Abdominal CT with intravenous contrast, arterial phase, axial plane, 120 kVp, kernel B30f. Slice 255/532 from the bottom of the scan; thickness 1.00 mm; pixel size 0.713 mm.
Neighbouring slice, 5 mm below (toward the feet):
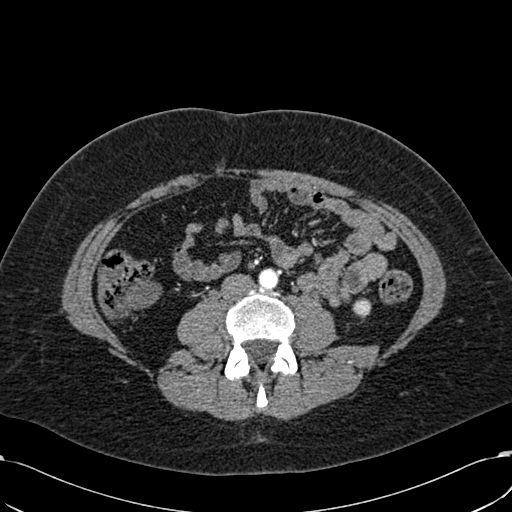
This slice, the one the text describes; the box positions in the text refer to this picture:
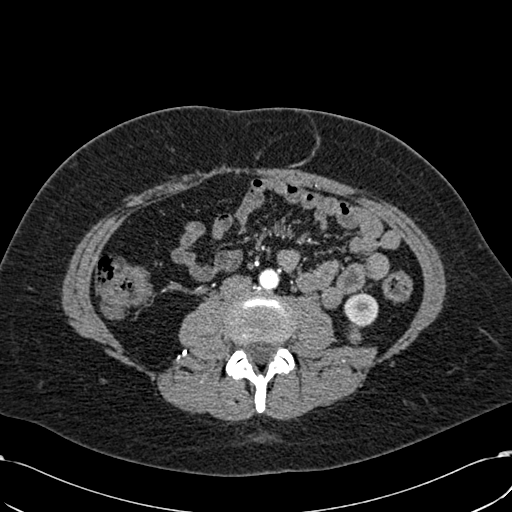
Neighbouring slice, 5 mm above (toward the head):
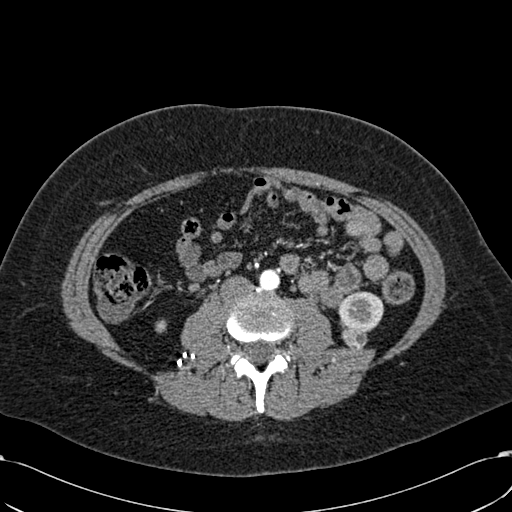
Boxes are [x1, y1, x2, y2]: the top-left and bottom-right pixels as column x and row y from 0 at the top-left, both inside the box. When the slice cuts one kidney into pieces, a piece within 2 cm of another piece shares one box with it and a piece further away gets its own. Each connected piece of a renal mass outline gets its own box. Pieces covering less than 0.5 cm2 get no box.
One kidney box and one renal mass box on this slice; by box centre, from the image's left to its right: (1) Box [348, 322, 361, 344]: left renal mass (outlined area 214 px, about 1.1 cm2). (2) Left kidney at [344, 293, 378, 327] (outlined area 920 px, about 4.7 cm2). This slice is near the end of the left renal mass toward the feet, so the slices 5 mm below and 5 mm above it are shown as well; the boxes refer to this slice only.